Abdominal CT with intravenous contrast, axial plane, 120 kVp, kernel STANDARD. Slice 65/99 from the bottom of the scan; thickness 5.00 mm; pixel size 0.938 mm.
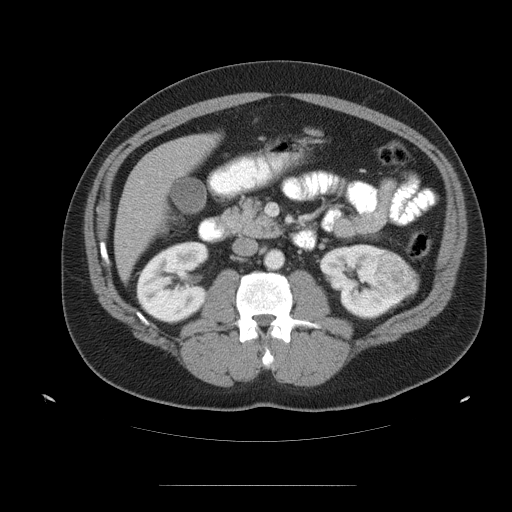
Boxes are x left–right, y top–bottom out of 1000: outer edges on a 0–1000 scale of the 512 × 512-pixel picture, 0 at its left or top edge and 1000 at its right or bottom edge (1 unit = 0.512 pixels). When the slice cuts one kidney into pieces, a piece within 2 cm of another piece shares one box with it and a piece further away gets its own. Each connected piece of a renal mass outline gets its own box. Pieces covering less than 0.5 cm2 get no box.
Three boxes on this slice (two kidney boxes and one renal mass box), listed by box centre from the image's left to its right. (1) Box x 266–410, y 471–635 out of 1000: right kidney (outlined area 4,636 px, about 40.7 cm2). (2) Box x 623–781, y 475–625 out of 1000: left kidney (outlined area 3,577 px, about 31.4 cm2). (3) Box x 729–820, y 490–596 out of 1000: left renal mass (outlined area 1,841 px, about 16.2 cm2).